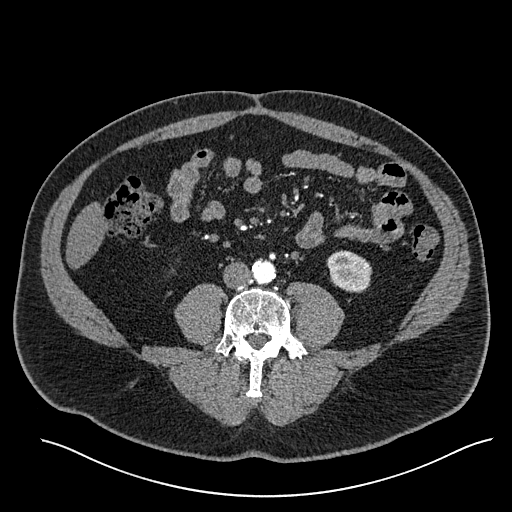
Abdominal CT with intravenous contrast, arterial phase, axial plane, 120 kVp, kernel I30f. Slice 195/527 from the bottom of the scan; thickness 1.00 mm; pixel size 0.859 mm.
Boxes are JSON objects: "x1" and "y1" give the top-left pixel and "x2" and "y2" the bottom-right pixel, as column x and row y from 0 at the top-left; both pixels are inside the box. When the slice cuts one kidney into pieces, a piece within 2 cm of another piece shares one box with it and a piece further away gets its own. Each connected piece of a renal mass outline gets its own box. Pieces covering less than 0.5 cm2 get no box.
Left kidney, box {"x1": 326, "y1": 250, "x2": 372, "y2": 292} (outlined area 1,502 px, about 11.1 cm2). This slice carries no renal mass outline.